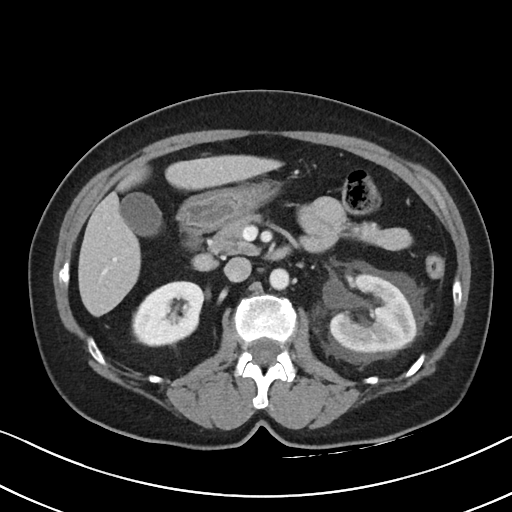
Axial slice 58 of 88 of a contrast-enhanced abdominal CT (slice 1 is the lowest), 100 kVp, kernel I40f; 5.00 mm slice thickness and 0.674 mm pixels.
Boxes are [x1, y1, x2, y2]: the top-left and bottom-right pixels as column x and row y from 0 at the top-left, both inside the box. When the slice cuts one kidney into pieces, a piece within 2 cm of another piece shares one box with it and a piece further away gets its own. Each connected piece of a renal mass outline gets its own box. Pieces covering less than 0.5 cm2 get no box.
Two kidney boxes on this slice; by box centre, from the image's left to its right: (1) Box [132, 281, 203, 346]: right kidney (outlined area 3,634 px, about 16.5 cm2). (2) Box [330, 274, 416, 352]: left kidney (outlined area 5,052 px, about 22.9 cm2). No renal mass outline on this slice.